One axial slice (371 of 602, counting up from the lowest) of an arterial-phase abdominal CT acquired with 120 kVp, kernel I30f; each pixel is 0.799 mm and the slice is 1.00 mm thick.
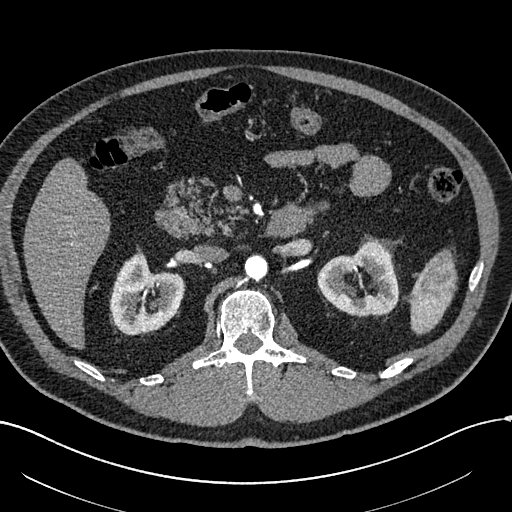
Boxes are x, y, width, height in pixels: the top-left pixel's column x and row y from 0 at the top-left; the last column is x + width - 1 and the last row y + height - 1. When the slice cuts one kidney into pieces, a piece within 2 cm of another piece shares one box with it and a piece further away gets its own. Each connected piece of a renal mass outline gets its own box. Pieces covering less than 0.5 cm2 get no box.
Two boxes on this slice (two kidney boxes), listed by box centre from the image's left to its right. (1) Right kidney at x 109, y 251, width 76, height 85 (outlined area 4,306 px, about 27.5 cm2). (2) Left kidney at x 317, y 240, width 82, height 77 (outlined area 4,295 px, about 27.4 cm2). No renal mass is outlined on this slice.